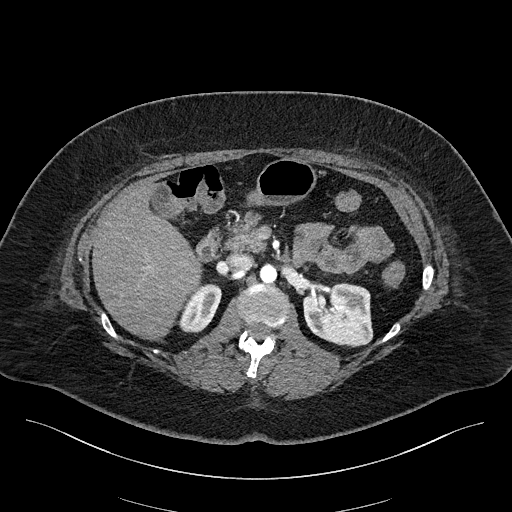
Axial slice 123 of 270 of a contrast-enhanced abdominal CT in the arterial phase (slice 1 is the lowest), 100 kVp, kernel I40f; 2.00 mm slice thickness and 0.855 mm pixels.
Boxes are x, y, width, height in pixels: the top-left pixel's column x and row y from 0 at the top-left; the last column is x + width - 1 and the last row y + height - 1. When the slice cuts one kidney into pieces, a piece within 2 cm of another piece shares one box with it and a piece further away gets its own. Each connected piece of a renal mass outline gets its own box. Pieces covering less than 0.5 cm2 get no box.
Boxed on this slice (two kidney boxes), listed by box centre from the image's left to its right: (1) Right kidney, box x 178, y 284, width 44, height 49 (outlined area 1,441 px, about 10.5 cm2). (2) Left kidney, box x 303, y 282, width 71, height 66 (outlined area 3,631 px, about 26.6 cm2). No renal mass is outlined on this slice.